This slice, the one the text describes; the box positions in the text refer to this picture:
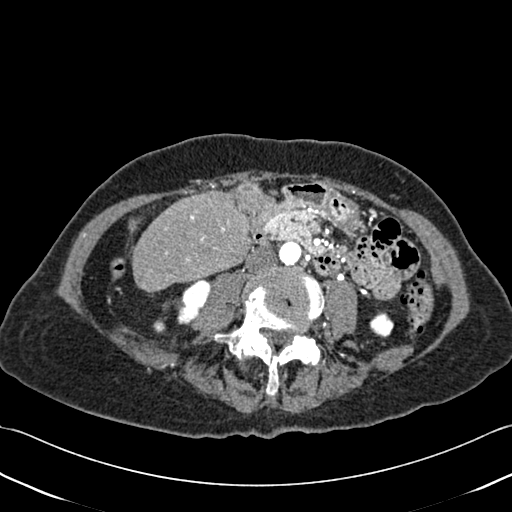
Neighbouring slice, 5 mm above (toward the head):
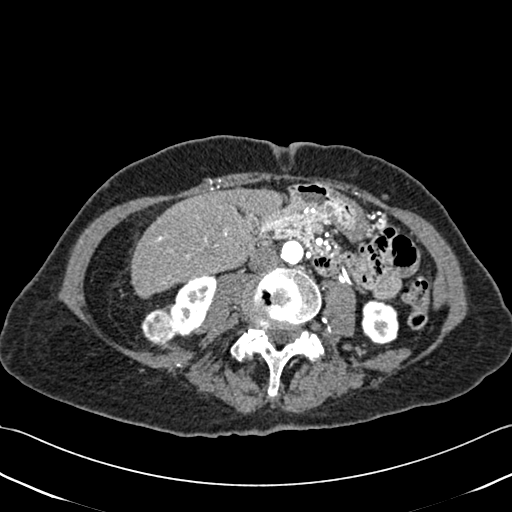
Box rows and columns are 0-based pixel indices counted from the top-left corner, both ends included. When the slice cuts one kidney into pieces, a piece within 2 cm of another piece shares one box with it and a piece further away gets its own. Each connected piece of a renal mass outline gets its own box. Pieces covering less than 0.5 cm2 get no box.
This is axial slice 165 of 433 (slice 1 is the lowest) of an abdominal CT with contrast; each pixel is 0.672 mm and the slice is 1.00 mm thick. Three boxes on this slice (two kidney boxes and one renal mass box), listed by box centre from the image's left to its right. (1) Box rows 320–332, columns 153–164: right renal mass (outlined area 129 px, about 0.6 cm2); here it is more than 1 cm from any kidney outline, though on another slice the same outlined renal mass lies within 1 cm of the kidney. (2) Box rows 280–322, columns 178–210: right kidney (outlined area 926 px, about 4.2 cm2). (3) Left kidney, box rows 311–337, columns 369–393 (outlined area 481 px, about 2.2 cm2). This slice lies near the end of the right renal mass toward the feet; the slice 5 mm above it is shown too, and the boxes mark positions on this slice only.
Scan settings: 120 kVp, B30f reconstruction kernel.